Abdominal CT with intravenous contrast, arterial phase, axial plane, 140 kVp, kernel I30f. Slice 403/673 from the bottom of the scan; thickness 1.00 mm; pixel size 0.957 mm.
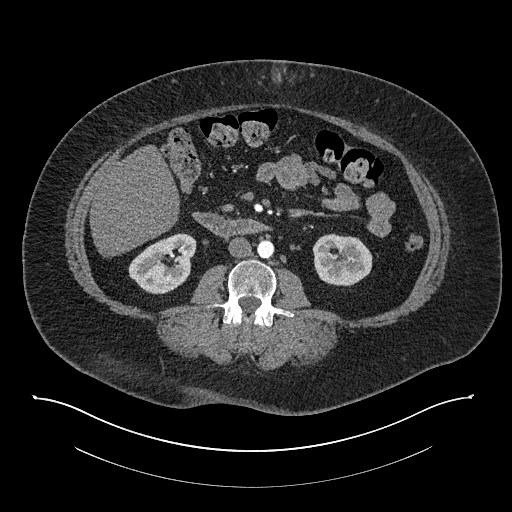
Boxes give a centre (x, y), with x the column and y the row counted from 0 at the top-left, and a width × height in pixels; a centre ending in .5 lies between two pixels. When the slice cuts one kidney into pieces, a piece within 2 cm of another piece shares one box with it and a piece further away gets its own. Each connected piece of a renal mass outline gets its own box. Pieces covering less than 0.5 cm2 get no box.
Boxed on this slice (two kidney boxes), listed by box centre from the image's left to its right: (1) Right kidney in a box with centre (162, 263.5), 69 × 62 pixels (outlined area 2,892 px, about 26.5 cm2). (2) Box centre (342, 259.5), 61 × 54 pixels: left kidney (outlined area 2,525 px, about 23.1 cm2). No renal mass outline on this slice.